Abdominal CT with intravenous contrast, arterial phase, axial plane, 120 kVp, kernel I30f. Slice 233/261 from the bottom of the scan; thickness 2.00 mm; pixel size 0.939 mm.
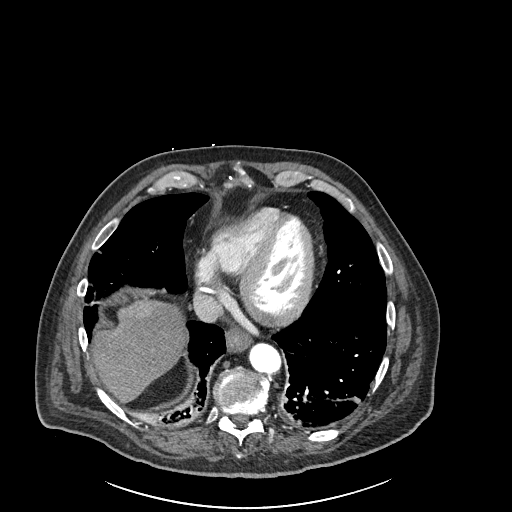
Neither a kidney nor a renal mass is outlined here. Only kidneys and renal masses are outlined anywhere in this scan; other structures are never outlined.